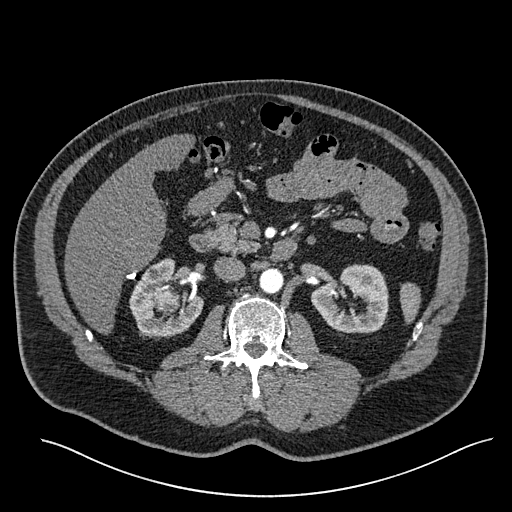
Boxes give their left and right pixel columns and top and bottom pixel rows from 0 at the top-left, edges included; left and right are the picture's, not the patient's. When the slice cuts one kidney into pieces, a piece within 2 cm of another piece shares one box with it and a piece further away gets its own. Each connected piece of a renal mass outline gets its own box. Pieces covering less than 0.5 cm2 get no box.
Slice 335/527 of a contrast-enhanced abdominal CT in the arterial phase, counting up from the lowest; pixel size 0.859 mm, slice thickness 1.00 mm. Boxed on this slice (two kidney boxes and one renal mass box), listed by box centre from the image's left to its right: (1) Box with left 129, top 258, right 204, bottom 339: right kidney (outlined area 3,470 px, about 25.6 cm2). (2) Box with left 154, top 286, right 181, bottom 314: right renal mass (outlined area 649 px, about 4.8 cm2). (3) Left kidney in the box with left 311, top 264, right 388, bottom 333 (outlined area 3,830 px, about 28.3 cm2).
Tube voltage 120 kVp; convolution kernel I30f.